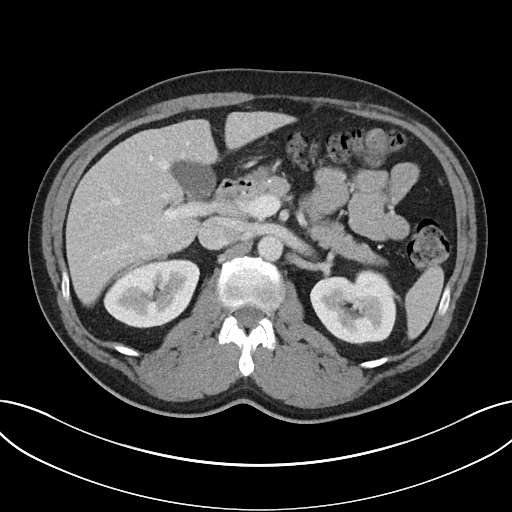
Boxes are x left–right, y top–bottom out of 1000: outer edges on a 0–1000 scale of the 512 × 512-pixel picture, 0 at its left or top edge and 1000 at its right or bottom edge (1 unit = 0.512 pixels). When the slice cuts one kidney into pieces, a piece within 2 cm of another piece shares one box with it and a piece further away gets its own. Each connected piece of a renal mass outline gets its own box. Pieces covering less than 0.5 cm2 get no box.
This is axial slice 21 of 32 (slice 1 is the lowest) of an arterial-phase abdominal CT with contrast; each pixel is 0.779 mm and the slice is 5.00 mm thick. Boxed on this slice (two kidney boxes), listed by box centre from the image's left to its right: (1) Right kidney, box x 201–393, y 506–643 out of 1000 (outlined area 4,961 px, about 30.1 cm2). (2) Left kidney, box x 605–775, y 523–676 out of 1000 (outlined area 5,022 px, about 30.5 cm2). This slice carries no renal mass outline.
Scan settings: 100 kVp, I40f reconstruction kernel.